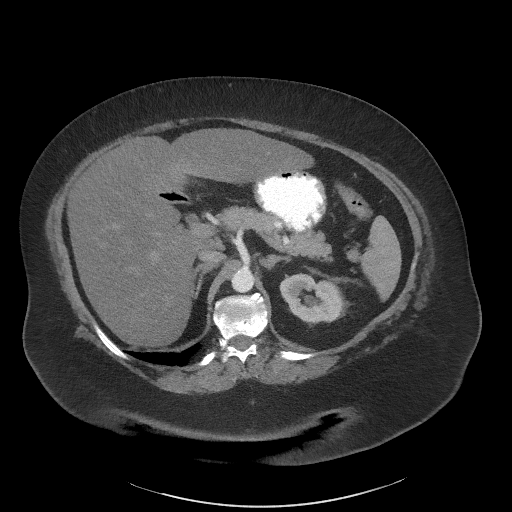
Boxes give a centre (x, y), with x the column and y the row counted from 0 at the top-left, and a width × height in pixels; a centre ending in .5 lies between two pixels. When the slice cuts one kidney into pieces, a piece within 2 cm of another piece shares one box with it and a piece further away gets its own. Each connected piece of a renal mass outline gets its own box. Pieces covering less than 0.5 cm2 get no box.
This is axial slice 48 of 61 (slice 1 is the lowest) of an arterial-phase abdominal CT with contrast; each pixel is 0.947 mm and the slice is 3.00 mm thick. Left kidney, box centre (310.5, 297.5), 64 × 52 pixels (outlined area 2,522 px, about 22.6 cm2). No renal mass is outlined on this slice.
Tube voltage 140 kVp; convolution kernel I41f.